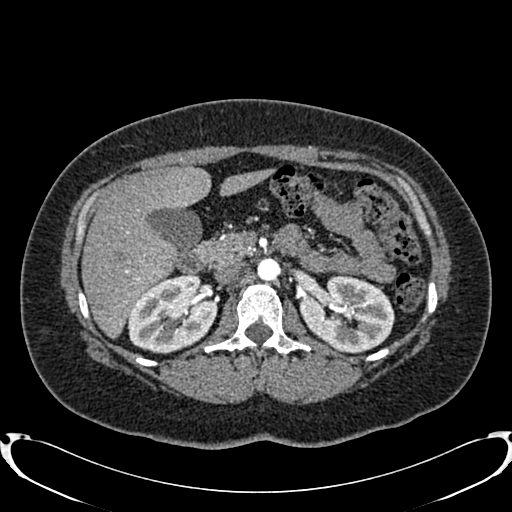
Arterial-phase contrast-enhanced abdominal CT, axial slice 502 of 719 (counted from the lowest slice); tube voltage 120 kVp, convolution kernel B20f; slices 1.00 mm thick, 0.766 mm per pixel.
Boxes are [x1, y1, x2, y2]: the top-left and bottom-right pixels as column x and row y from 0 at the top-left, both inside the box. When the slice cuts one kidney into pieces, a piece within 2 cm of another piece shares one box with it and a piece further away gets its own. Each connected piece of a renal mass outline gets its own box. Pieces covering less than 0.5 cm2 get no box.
Boxed on this slice (two kidney boxes), listed by box centre from the image's left to its right: (1) Right kidney, box [127, 274, 217, 353] (outlined area 5,339 px, about 31.3 cm2). (2) Left kidney, box [299, 275, 394, 352] (outlined area 5,416 px, about 31.7 cm2). No renal mass is outlined on this slice.